Axial slice 36 of 76 of a contrast-enhanced abdominal CT (slice 1 is the lowest), 120 kVp, kernel STANDARD; 2.50 mm slice thickness and 0.586 mm pixels.
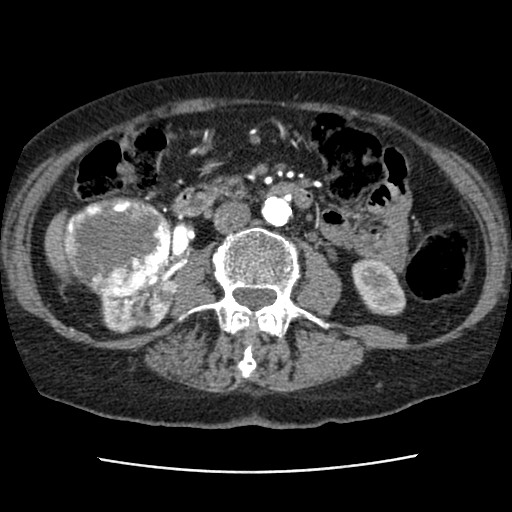
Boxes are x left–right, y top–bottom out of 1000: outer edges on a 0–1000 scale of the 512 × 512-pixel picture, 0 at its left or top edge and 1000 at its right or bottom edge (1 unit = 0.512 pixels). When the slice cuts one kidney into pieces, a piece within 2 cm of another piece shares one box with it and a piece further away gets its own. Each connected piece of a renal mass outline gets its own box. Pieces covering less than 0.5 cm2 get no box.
Boxed on this slice (two kidney boxes and one renal mass box), listed by box centre from the image's left to its right: (1) Box x 125–338, y 383–582 out of 1000: right renal mass (outlined area 8,485 px, about 29.1 cm2). (2) Right kidney at x 193–346, y 525–650 out of 1000 (outlined area 2,793 px, about 9.6 cm2). (3) Left kidney at x 686–793, y 504–617 out of 1000 (outlined area 2,339 px, about 8.0 cm2).